One axial slice (62 of 103, counting up from the lowest) of a contrast-enhanced abdominal CT acquired with 120 kVp, kernel STANDARD; each pixel is 0.820 mm and the slice is 2.50 mm thick.
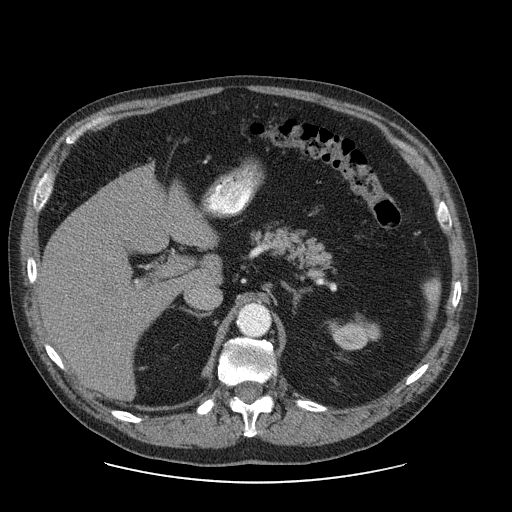
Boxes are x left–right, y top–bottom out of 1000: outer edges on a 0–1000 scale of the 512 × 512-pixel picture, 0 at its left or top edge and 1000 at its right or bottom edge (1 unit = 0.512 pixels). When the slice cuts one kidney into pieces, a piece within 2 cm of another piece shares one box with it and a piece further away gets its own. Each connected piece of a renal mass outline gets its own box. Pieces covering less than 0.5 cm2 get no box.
Left kidney, box x 650–744, y 627–686 out of 1000 (outlined area 1,036 px, about 7.0 cm2). No renal mass outline on this slice.